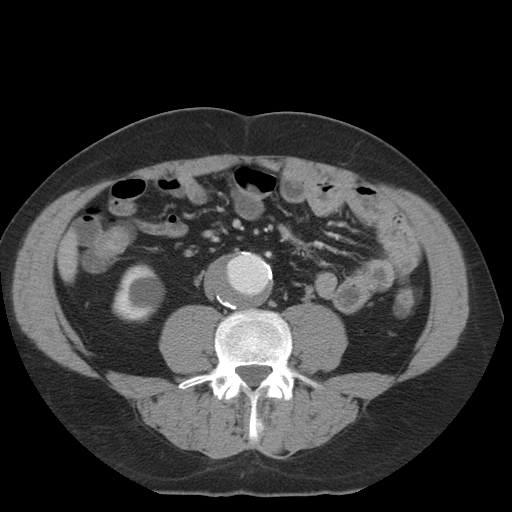
Abdominal CT with intravenous contrast, arterial phase, axial plane, 140 kVp, kernel STANDARD. Slice 1/36 from the bottom of the scan; thickness 5.00 mm; pixel size 0.703 mm.
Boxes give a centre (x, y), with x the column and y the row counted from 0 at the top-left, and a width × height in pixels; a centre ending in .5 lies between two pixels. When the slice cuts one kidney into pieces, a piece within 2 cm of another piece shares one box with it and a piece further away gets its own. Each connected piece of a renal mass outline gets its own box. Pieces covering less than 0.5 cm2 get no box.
Box centre (138, 292.5), 53 × 60 pixels: right kidney (outlined area 2,262 px, about 11.2 cm2). This slice carries no renal mass outline.